Axial slice 13 of 60 of a contrast-enhanced abdominal CT (slice 1 is the lowest), 120 kVp, kernel I30f; 5.00 mm slice thickness and 0.971 mm pixels.
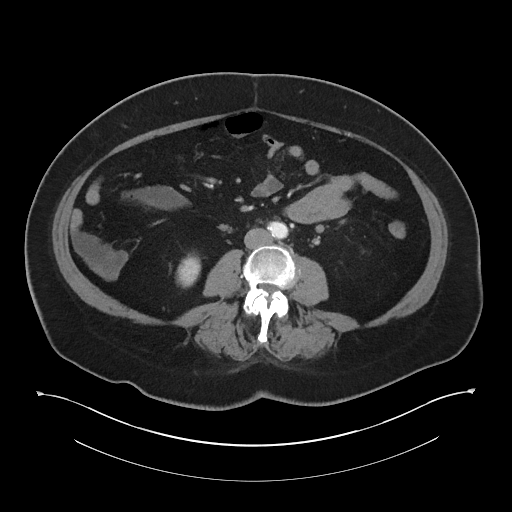
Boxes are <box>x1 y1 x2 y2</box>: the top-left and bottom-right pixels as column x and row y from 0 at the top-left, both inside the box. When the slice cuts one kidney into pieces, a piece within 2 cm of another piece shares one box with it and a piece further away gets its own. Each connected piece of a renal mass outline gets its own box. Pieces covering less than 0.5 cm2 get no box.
Right kidney: <box>176 253 201 287</box> (outlined area 651 px, about 6.1 cm2). No renal mass is outlined on this slice.